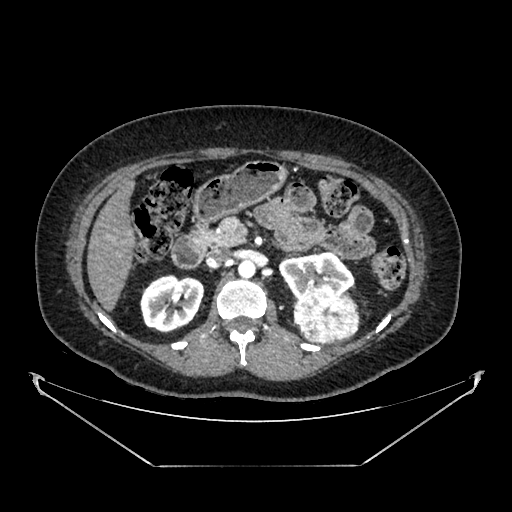
Axial slice 245 of 383 of a contrast-enhanced abdominal CT in the arterial phase (slice 1 is the lowest), 100 kVp, kernel SOFT; 1.25 mm slice thickness and 0.898 mm pixels.
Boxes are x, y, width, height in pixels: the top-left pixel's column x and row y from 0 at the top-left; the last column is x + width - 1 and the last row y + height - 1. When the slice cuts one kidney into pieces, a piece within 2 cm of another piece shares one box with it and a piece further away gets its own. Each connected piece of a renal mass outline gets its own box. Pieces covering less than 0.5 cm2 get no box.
Two kidney boxes and one renal mass box on this slice; by box centre, from the image's left to its right: (1) Box x 140, y 274, width 65, height 60: right kidney (outlined area 2,919 px, about 23.6 cm2). (2) Left kidney, box x 278, y 252, width 77, height 49 (outlined area 2,490 px, about 20.1 cm2). (3) Box x 293, y 290, width 67, height 55: left renal mass (outlined area 2,939 px, about 23.7 cm2).